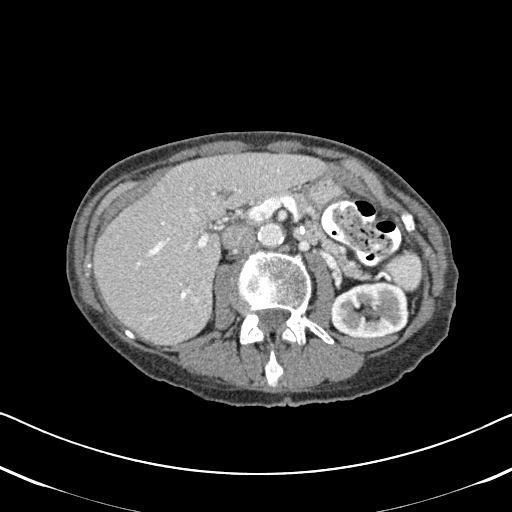
Abdominal CT with intravenous contrast, arterial phase, axial plane, 120 kVp, kernel B31f. Slice 299/620 from the bottom of the scan; thickness 2.00 mm; pixel size 0.637 mm.
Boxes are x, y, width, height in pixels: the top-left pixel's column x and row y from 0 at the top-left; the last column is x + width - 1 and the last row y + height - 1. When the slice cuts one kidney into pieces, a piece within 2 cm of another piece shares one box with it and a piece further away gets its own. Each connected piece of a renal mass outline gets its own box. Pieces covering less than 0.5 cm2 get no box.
Box x 329, y 281, width 80, height 58: left kidney (outlined area 3,751 px, about 15.2 cm2). No renal mass is outlined on this slice.